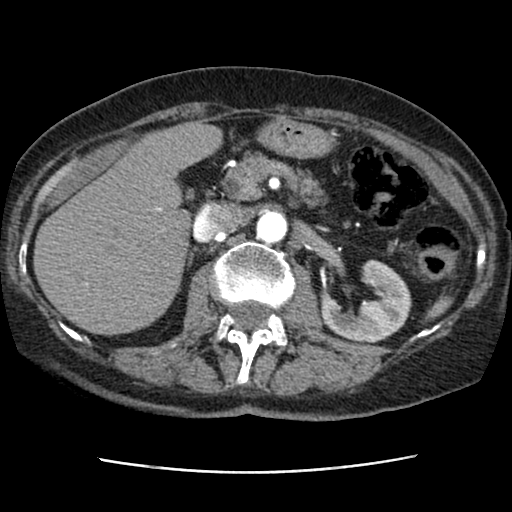
One axial slice (51 of 76, counting up from the lowest) of a contrast-enhanced abdominal CT acquired with 120 kVp, kernel STANDARD; each pixel is 0.586 mm and the slice is 2.50 mm thick.
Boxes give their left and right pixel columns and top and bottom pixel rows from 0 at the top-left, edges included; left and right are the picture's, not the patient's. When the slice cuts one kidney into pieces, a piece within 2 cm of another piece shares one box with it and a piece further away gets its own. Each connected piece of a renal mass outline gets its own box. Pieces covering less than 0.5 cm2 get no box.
Box with left 319, top 259, right 411, bottom 342: left kidney (outlined area 4,532 px, about 15.6 cm2). This slice carries no renal mass outline.